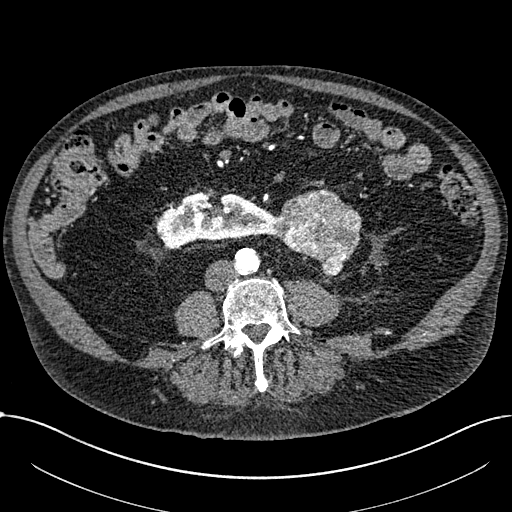
Axial slice 263 of 1059 of a contrast-enhanced abdominal CT in the arterial phase (slice 1 is the lowest), 100 kVp, kernel I30f; 1.00 mm slice thickness and 0.811 mm pixels.
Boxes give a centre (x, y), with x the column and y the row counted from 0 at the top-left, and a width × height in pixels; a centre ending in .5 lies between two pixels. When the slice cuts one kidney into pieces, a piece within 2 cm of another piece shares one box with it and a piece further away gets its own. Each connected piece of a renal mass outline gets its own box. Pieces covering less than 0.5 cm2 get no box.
Boxed on this slice (one kidney box and one renal mass box), listed by box centre from the image's left to its right: (1) Right part of the midline-crossing kidney, box centre (215.5, 219.5), 120 × 58 pixels (outlined area 4,560 px, about 30.0 cm2). (2) Renal mass, box centre (317.5, 231.5), 88 × 88 pixels (outlined area 5,083 px, about 33.4 cm2).